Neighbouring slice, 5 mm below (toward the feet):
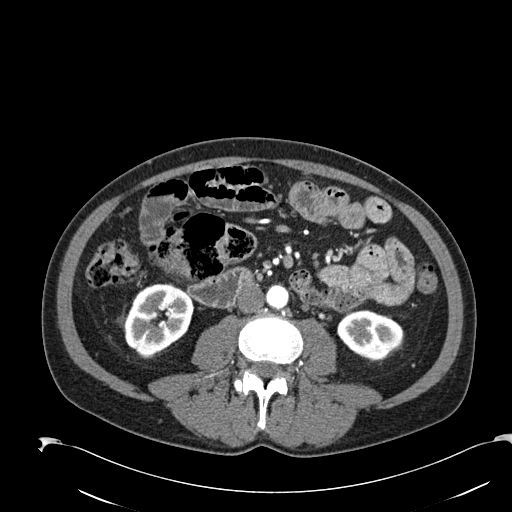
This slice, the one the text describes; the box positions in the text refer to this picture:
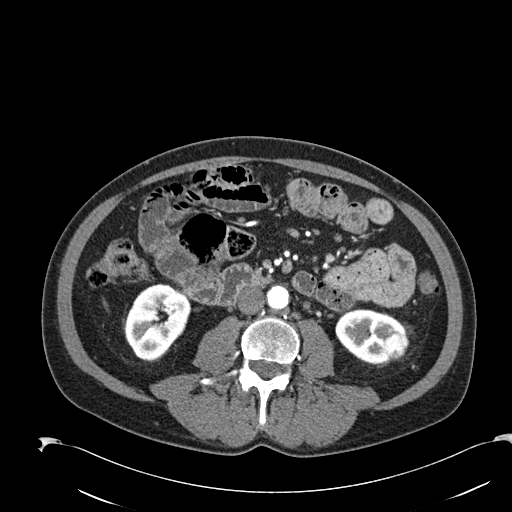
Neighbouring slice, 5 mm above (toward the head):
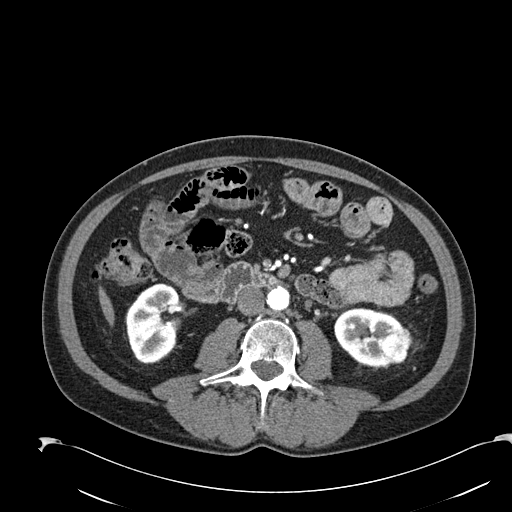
Axial slice 80 of 274 of a contrast-enhanced abdominal CT in the arterial phase (slice 1 is the lowest), 120 kVp, kernel B30f; 2.00 mm slice thickness and 0.809 mm pixels.
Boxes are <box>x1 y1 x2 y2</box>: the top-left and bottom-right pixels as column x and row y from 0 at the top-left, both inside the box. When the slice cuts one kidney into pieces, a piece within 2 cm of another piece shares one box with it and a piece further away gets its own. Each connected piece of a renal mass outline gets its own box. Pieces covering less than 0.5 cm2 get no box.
Boxed on this slice (two kidney boxes and one renal mass box), listed by box centre from the image's left to its right: (1) Right kidney: <box>123 283 191 362</box> (outlined area 3,692 px, about 24.1 cm2). (2) Left kidney at <box>335 308 405 364</box> (outlined area 2,552 px, about 16.7 cm2). (3) Left renal mass at <box>382 332 409 360</box> (outlined area 578 px, about 3.8 cm2). This slice is near the end of the left renal mass toward the feet, so the slices 5 mm below and 5 mm above it are shown as well; the boxes refer to this slice only.